One axial slice (412 of 512, counting up from the lowest) of an arterial-phase abdominal CT acquired with 120 kVp, kernel B30f; each pixel is 0.771 mm and the slice is 1.00 mm thick.
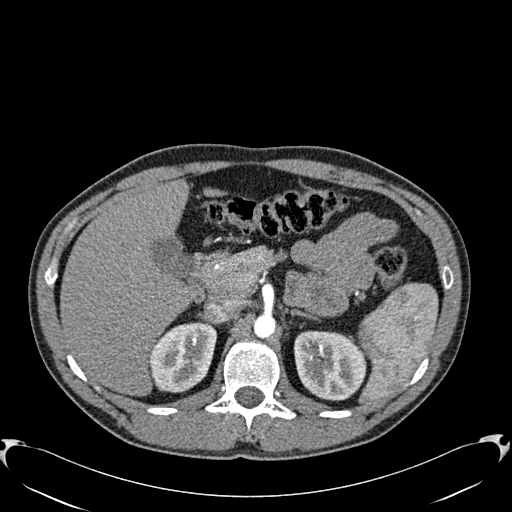
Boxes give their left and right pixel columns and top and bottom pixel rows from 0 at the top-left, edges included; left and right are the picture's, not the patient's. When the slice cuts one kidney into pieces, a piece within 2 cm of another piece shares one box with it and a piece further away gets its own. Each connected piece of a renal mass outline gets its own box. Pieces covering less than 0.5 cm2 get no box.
Boxed on this slice (two kidney boxes), listed by box centre from the image's left to its right: (1) Box with left 149, top 321, right 217, bottom 392: right kidney (outlined area 3,694 px, about 22.0 cm2). (2) Left kidney in the box with left 293, top 330, right 366, bottom 400 (outlined area 4,114 px, about 24.5 cm2). This slice carries no renal mass outline.